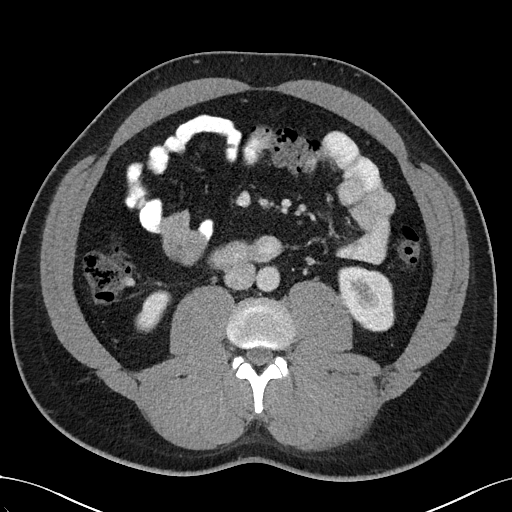
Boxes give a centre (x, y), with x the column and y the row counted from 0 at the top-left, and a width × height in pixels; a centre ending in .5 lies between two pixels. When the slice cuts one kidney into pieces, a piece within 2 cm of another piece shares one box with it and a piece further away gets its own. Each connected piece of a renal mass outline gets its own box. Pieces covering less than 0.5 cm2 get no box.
This is axial slice 59 of 102 (slice 1 is the lowest) of an arterial-phase abdominal CT with contrast; each pixel is 0.781 mm and the slice is 5.00 mm thick. Two kidney boxes on this slice; by box centre, from the image's left to its right: (1) Box centre (153, 311), 37 × 43 pixels: right kidney (outlined area 948 px, about 5.8 cm2). (2) Box centre (366, 298.5), 57 × 66 pixels: left kidney (outlined area 2,886 px, about 17.6 cm2). This slice carries no renal mass outline.
Scan settings: 100 kVp, I40f reconstruction kernel.